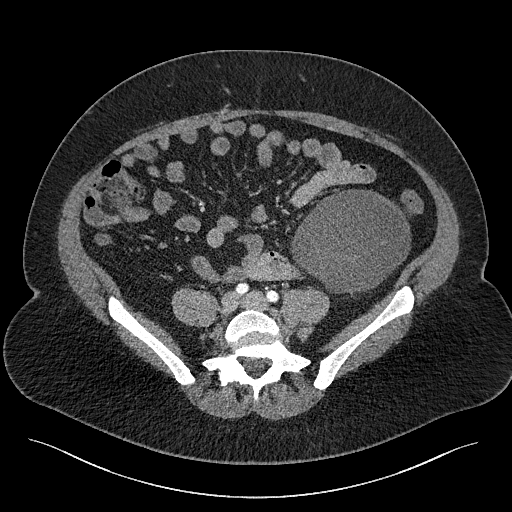
Axial slice 44 of 301 of a contrast-enhanced abdominal CT (slice 1 is the lowest), 120 kVp, kernel I40f; 2.00 mm slice thickness and 0.859 mm pixels.
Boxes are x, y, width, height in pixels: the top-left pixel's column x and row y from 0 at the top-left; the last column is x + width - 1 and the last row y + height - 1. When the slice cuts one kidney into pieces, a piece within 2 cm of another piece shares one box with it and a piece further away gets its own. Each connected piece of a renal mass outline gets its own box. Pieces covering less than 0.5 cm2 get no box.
Box x 291, y 189, width 120, height 108: left renal mass (outlined area 9,250 px, about 68.3 cm2); this slice has no kidney outline, though on another slice the same outlined renal mass lies within 1 cm of the kidney.